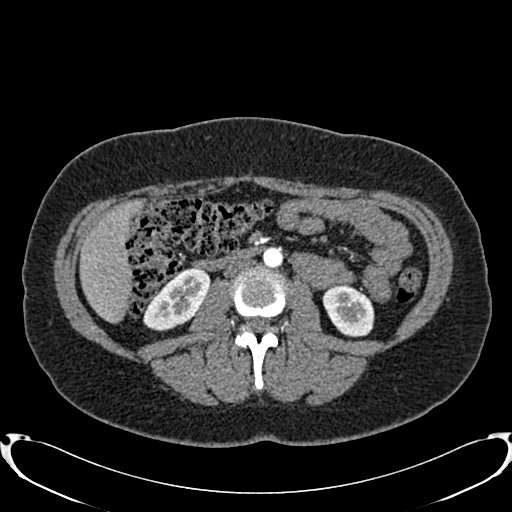
Arterial-phase contrast-enhanced abdominal CT, axial slice 404 of 719 (counted from the lowest slice); tube voltage 120 kVp, convolution kernel B20f; slices 1.00 mm thick, 0.766 mm per pixel.
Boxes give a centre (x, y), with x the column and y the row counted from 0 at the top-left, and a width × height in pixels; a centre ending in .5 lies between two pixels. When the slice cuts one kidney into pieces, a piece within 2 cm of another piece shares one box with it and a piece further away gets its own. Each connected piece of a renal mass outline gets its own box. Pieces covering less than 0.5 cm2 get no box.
Two kidney boxes on this slice; by box centre, from the image's left to its right: (1) Right kidney, box centre (176.5, 299), 68 × 65 pixels (outlined area 2,753 px, about 16.1 cm2). (2) Box centre (348, 310.5), 53 × 54 pixels: left kidney (outlined area 2,109 px, about 12.4 cm2). This slice carries no renal mass outline.